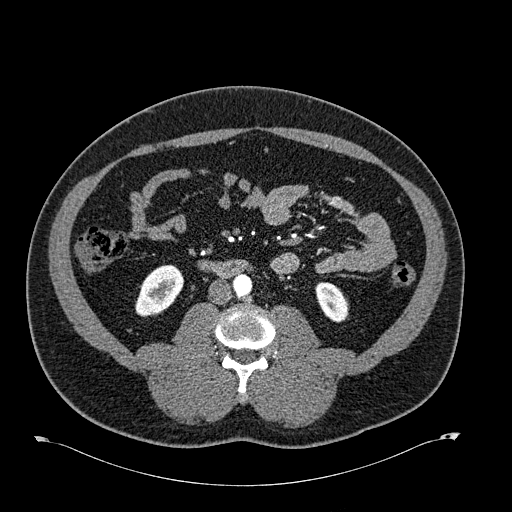
Arterial-phase contrast-enhanced abdominal CT, axial slice 280 of 723 (counted from the lowest slice); tube voltage 120 kVp, convolution kernel B30f; slices 1.00 mm thick, 0.895 mm per pixel.
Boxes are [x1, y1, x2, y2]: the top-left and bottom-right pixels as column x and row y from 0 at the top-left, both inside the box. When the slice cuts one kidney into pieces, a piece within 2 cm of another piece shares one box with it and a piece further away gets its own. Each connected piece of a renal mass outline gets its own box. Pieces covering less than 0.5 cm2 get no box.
Boxed on this slice (two kidney boxes), listed by box centre from the image's left to its right: (1) Right kidney at [135, 264, 182, 316] (outlined area 1,775 px, about 14.2 cm2). (2) Box [315, 282, 347, 322]: left kidney (outlined area 978 px, about 7.8 cm2). No renal mass outline on this slice.